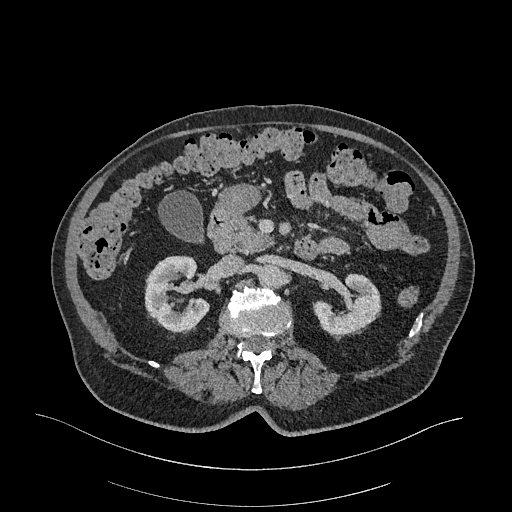
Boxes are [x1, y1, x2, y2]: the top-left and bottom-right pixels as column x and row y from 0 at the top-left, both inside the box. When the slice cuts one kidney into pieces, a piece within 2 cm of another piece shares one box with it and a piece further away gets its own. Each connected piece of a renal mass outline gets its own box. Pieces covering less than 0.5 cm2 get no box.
Slice 179/470 of a contrast-enhanced abdominal CT in the arterial phase, counting up from the lowest; pixel size 0.938 mm, slice thickness 1.00 mm. Two boxes on this slice (two kidney boxes), listed by box centre from the image's left to its right. (1) Right kidney, box [144, 255, 210, 333] (outlined area 3,599 px, about 31.6 cm2). (2) Left kidney at [313, 273, 381, 334] (outlined area 2,747 px, about 24.1 cm2). No renal mass outline on this slice.
Tube voltage 120 kVp; convolution kernel I26f.